Arterial-phase contrast-enhanced abdominal CT, axial slice 303 of 445 (counted from the lowest slice); tube voltage 120 kVp, convolution kernel STANDARD; slices 1.25 mm thick, 0.863 mm per pixel.
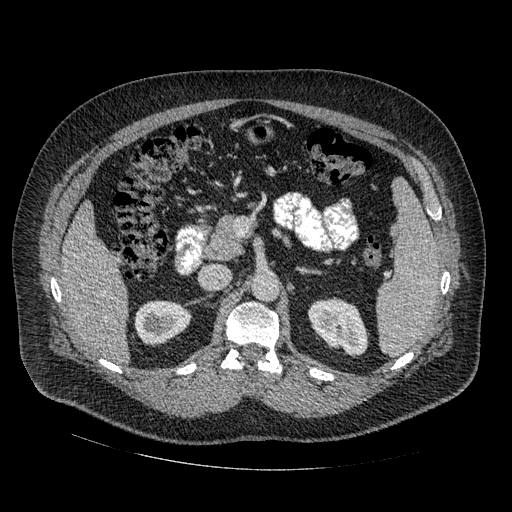
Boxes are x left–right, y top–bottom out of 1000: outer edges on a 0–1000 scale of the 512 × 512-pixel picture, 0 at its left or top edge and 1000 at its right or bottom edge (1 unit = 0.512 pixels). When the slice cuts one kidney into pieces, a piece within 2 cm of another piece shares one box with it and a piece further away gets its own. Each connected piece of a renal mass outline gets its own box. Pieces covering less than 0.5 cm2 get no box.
Two kidney boxes on this slice; by box centre, from the image's left to its right: (1) Box x 262–375, y 586–672 out of 1000: right kidney (outlined area 1,944 px, about 14.5 cm2). (2) Left kidney, box x 600–721, y 582–699 out of 1000 (outlined area 2,518 px, about 18.8 cm2). This slice carries no renal mass outline.